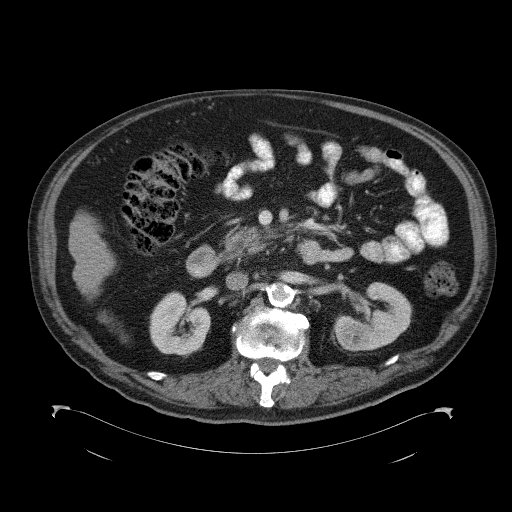
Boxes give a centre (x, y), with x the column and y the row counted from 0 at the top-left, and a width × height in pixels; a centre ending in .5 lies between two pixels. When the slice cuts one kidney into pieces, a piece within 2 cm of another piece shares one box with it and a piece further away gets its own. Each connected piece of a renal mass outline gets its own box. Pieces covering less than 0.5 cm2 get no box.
Contrast-enhanced abdominal CT, axial slice 60 of 98 (counted from the lowest slice); 5.00 mm thick, 0.965 mm per pixel. Three boxes on this slice (two kidney boxes and one renal mass box), listed by box centre from the image's left to its right. (1) Box centre (179.5, 324), 62 × 67 pixels: right kidney (outlined area 3,029 px, about 28.2 cm2). (2) Box centre (354.5, 332), 26 × 23 pixels: left renal mass (outlined area 474 px, about 4.4 cm2). (3) Left kidney, box centre (372, 316.5), 79 × 70 pixels (outlined area 3,195 px, about 29.7 cm2).
Tube voltage 120 kVp; convolution kernel B41f.